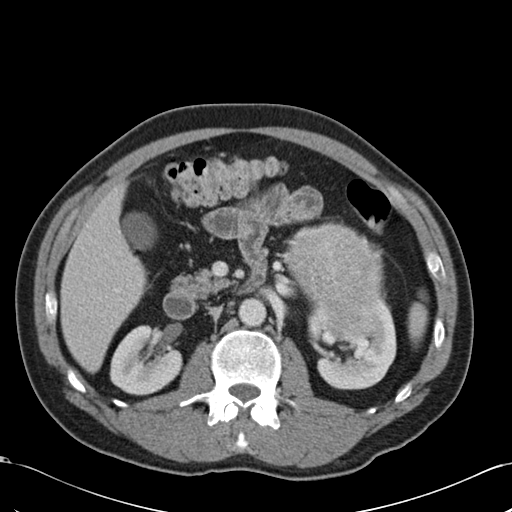
Abdominal CT with intravenous contrast, arterial phase, axial plane, 120 kVp, kernel B30f. Slice 65/99 from the bottom of the scan; thickness 5.00 mm; pixel size 0.693 mm.
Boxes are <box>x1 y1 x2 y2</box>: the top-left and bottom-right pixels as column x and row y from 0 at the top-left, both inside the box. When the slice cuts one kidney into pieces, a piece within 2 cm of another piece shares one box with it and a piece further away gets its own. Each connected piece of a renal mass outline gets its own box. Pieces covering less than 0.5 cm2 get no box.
Two kidney boxes and one renal mass box on this slice; by box centre, from the image's left to its right: (1) Right kidney: <box>109 324 183 395</box> (outlined area 3,766 px, about 18.1 cm2). (2) Left renal mass at <box>282 221 384 338</box> (outlined area 8,442 px, about 40.6 cm2). (3) Left kidney at <box>307 291 396 389</box> (outlined area 4,701 px, about 22.6 cm2).